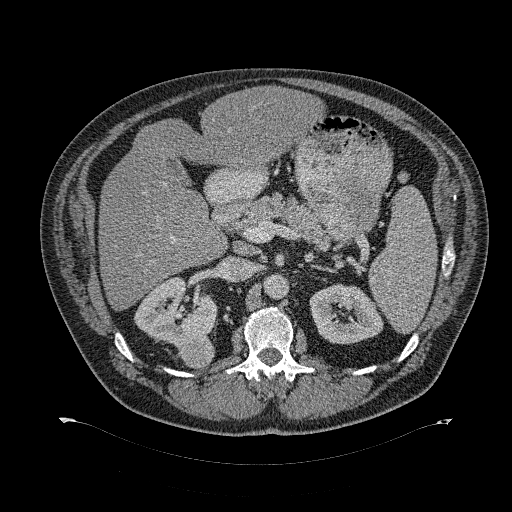
Contrast-enhanced abdominal CT, axial slice 201 of 274 (counted from the lowest slice); tube voltage 120 kVp, convolution kernel B31f; slices 2.00 mm thick, 0.977 mm per pixel.
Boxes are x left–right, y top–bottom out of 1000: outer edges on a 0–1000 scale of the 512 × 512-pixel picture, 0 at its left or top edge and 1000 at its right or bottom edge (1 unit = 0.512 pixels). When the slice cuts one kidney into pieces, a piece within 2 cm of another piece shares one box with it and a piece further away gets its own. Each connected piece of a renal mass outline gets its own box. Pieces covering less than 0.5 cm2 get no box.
Three boxes on this slice (two kidney boxes and one renal mass box), listed by box centre from the image's left to its right. (1) Right kidney, box x 262–426, y 539–682 out of 1000 (outlined area 3,688 px, about 35.2 cm2). (2) Right renal mass, box x 346–418, y 643–721 out of 1000 (outlined area 1,122 px, about 10.7 cm2). (3) Left kidney at x 604–750, y 553–674 out of 1000 (outlined area 3,355 px, about 32.0 cm2).